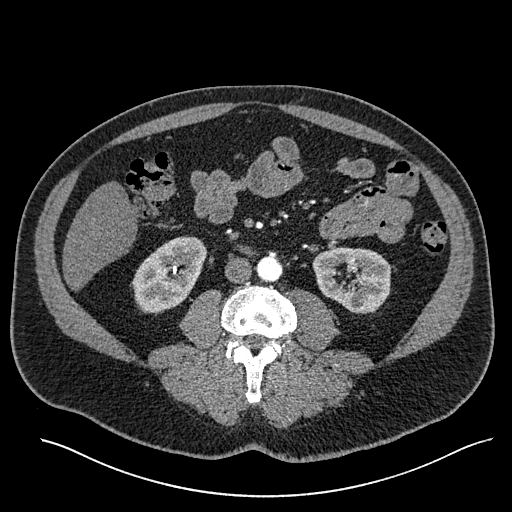
Axial slice 245 of 527 of a contrast-enhanced abdominal CT in the arterial phase (slice 1 is the lowest), 120 kVp, kernel I30f; 1.00 mm slice thickness and 0.859 mm pixels.
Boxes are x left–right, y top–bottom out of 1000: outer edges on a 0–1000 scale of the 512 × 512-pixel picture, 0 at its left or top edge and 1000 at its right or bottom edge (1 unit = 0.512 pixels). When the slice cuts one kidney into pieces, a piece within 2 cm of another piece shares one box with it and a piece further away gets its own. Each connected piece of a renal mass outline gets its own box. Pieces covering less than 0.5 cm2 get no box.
Boxed on this slice (two kidney boxes), listed by box centre from the image's left to its right: (1) Right kidney, box x 260–406, y 461–613 out of 1000 (outlined area 3,986 px, about 29.4 cm2). (2) Box x 609–768, y 482–613 out of 1000: left kidney (outlined area 3,951 px, about 29.2 cm2). No renal mass is outlined on this slice.